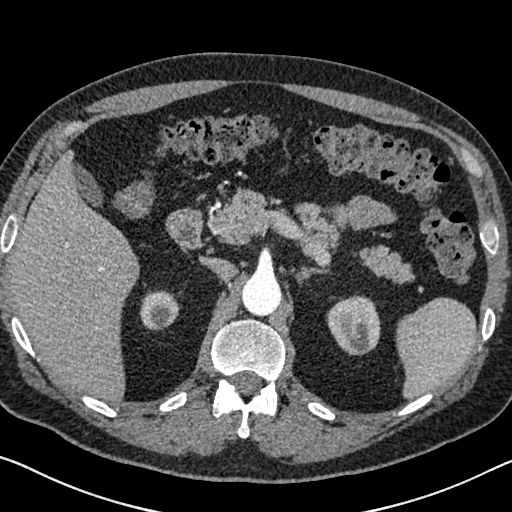
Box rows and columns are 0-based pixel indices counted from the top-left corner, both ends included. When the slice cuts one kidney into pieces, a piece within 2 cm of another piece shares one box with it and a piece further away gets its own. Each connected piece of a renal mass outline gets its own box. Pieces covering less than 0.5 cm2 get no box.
Arterial-phase contrast-enhanced abdominal CT, axial slice 475 of 626 (counted from the lowest slice); 1.00 mm thick, 0.703 mm per pixel. Two kidney boxes on this slice; by box centre, from the image's left to its right: (1) Right kidney at rows 290–330, columns 139–179 (outlined area 1,252 px, about 6.2 cm2). (2) Box rows 295–355, columns 326–380: left kidney (outlined area 2,512 px, about 12.4 cm2). This slice carries no renal mass outline.
Scan settings: 120 kVp, I30f reconstruction kernel.